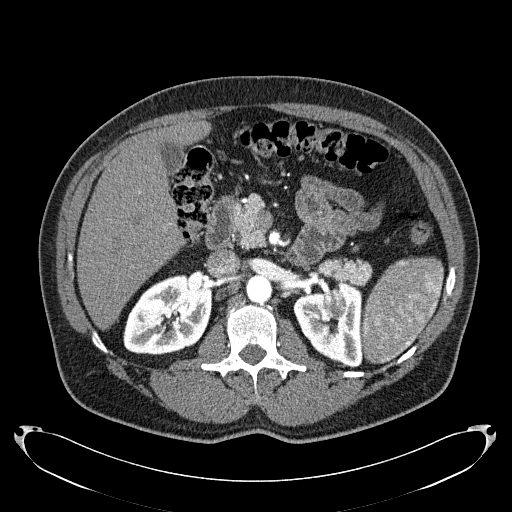
Axial slice 136 of 279 of a contrast-enhanced abdominal CT in the arterial phase (slice 1 is the lowest), 120 kVp, kernel B31f; 2.00 mm slice thickness and 0.824 mm pixels.
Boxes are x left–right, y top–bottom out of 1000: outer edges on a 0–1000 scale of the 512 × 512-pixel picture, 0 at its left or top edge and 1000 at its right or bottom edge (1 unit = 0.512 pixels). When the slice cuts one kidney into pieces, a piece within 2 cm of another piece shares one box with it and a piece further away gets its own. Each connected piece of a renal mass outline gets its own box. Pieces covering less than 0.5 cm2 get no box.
Boxed on this slice (two kidney boxes and one renal mass box), listed by box centre from the image's left to its right: (1) Right kidney at x 240–416, y 535–693 out of 1000 (outlined area 5,410 px, about 36.8 cm2). (2) Left kidney, box x 572–709, y 545–719 out of 1000 (outlined area 3,807 px, about 25.9 cm2). (3) Left renal mass, box x 625–676, y 564–623 out of 1000 (outlined area 626 px, about 4.3 cm2).